One axial slice (423 of 705, counting up from the lowest) of an arterial-phase abdominal CT acquired with 120 kVp, kernel I30f; each pixel is 0.703 mm and the slice is 1.00 mm thick.
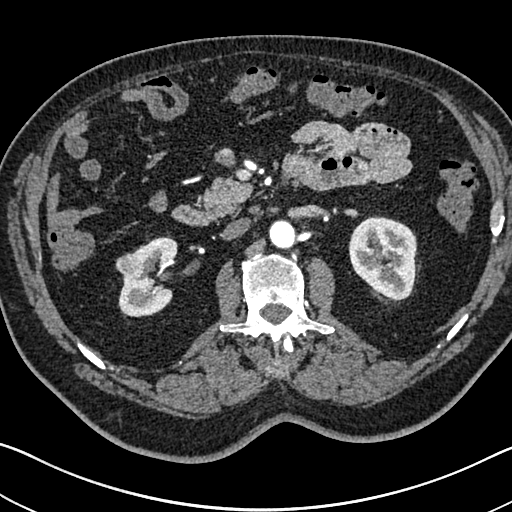
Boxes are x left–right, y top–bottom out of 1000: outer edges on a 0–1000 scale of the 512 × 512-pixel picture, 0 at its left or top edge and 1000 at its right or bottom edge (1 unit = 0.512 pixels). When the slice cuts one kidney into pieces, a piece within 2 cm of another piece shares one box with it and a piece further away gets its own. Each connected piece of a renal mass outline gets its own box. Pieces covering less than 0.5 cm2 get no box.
Three boxes on this slice (two kidney boxes and one renal mass box), listed by box centre from the image's left to its right. (1) Right renal mass, box x 225–277, y 494–545 out of 1000 (outlined area 518 px, about 2.6 cm2). (2) Box x 230–348, y 461–621 out of 1000: right kidney (outlined area 3,122 px, about 15.4 cm2). (3) Left kidney, box x 680–816, y 422–588 out of 1000 (outlined area 4,514 px, about 22.3 cm2).